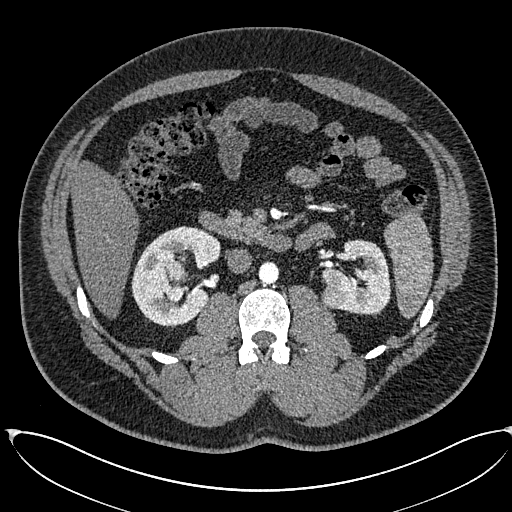
Arterial-phase contrast-enhanced abdominal CT, axial slice 342 of 673 (counted from the lowest slice); tube voltage 120 kVp, convolution kernel I30f; slices 1.00 mm thick, 0.855 mm per pixel.
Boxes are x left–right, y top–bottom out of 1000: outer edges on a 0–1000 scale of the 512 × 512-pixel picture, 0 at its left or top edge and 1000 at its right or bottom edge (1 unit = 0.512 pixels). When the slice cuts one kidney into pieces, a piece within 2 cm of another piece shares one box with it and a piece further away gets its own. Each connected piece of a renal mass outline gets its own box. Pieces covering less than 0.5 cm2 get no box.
Boxed on this slice (two kidney boxes and two renal mass boxes), listed by box centre from the image's left to its right: (1) Right kidney, box x 256–432, y 441–639 out of 1000 (outlined area 5,742 px, about 42.0 cm2). (2) Right renal mass, box x 324–371, y 512–592 out of 1000 (outlined area 695 px, about 5.1 cm2). (3) Left renal mass, box x 625–682, y 557–605 out of 1000 (outlined area 532 px, about 3.9 cm2). (4) Left kidney, box x 627–764, y 467–615 out of 1000 (outlined area 3,466 px, about 25.4 cm2).